Arterial-phase contrast-enhanced abdominal CT, axial slice 304 of 735 (counted from the lowest slice); tube voltage 120 kVp, convolution kernel I30f; slices 1.00 mm thick, 0.789 mm per pixel.
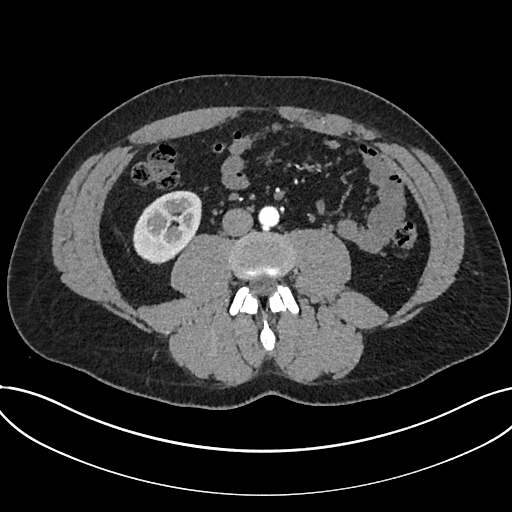
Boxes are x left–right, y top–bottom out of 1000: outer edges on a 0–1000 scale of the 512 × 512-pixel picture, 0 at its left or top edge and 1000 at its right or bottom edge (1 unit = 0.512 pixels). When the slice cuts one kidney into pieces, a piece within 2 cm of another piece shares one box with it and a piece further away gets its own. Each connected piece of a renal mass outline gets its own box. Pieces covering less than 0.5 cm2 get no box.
Kidney, box x 258–395, y 371–516 out of 1000 (outlined area 3,730 px, about 23.2 cm2). No renal mass outline on this slice.